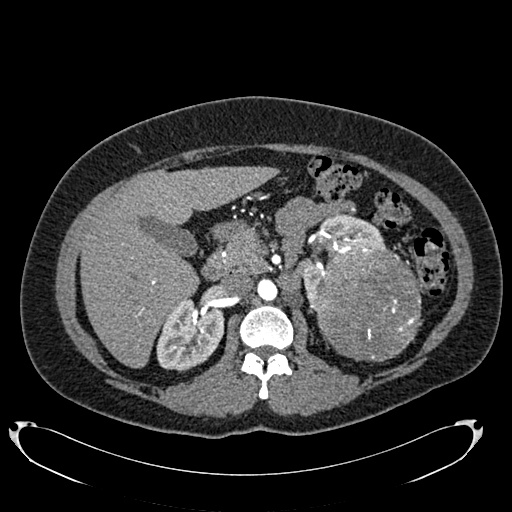
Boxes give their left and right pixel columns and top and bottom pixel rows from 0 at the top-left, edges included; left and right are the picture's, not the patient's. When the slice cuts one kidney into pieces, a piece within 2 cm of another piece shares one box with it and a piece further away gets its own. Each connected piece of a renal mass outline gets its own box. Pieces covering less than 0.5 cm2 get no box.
Slice 458/634 of a contrast-enhanced abdominal CT in the arterial phase, counting up from the lowest; pixel size 0.838 mm, slice thickness 1.00 mm. Three boxes on this slice (two kidney boxes and one renal mass box), listed by box centre from the image's left to its right. (1) Right kidney in the box with left 156, top 295, right 224, bottom 371 (outlined area 3,775 px, about 26.5 cm2). (2) Box with left 300, top 213, right 385, bottom 310: left kidney (outlined area 2,565 px, about 18.0 cm2). (3) Left renal mass in the box with left 314, top 241, right 422, bottom 361 (outlined area 10,350 px, about 72.7 cm2).
Scan settings: 120 kVp, B20f reconstruction kernel.